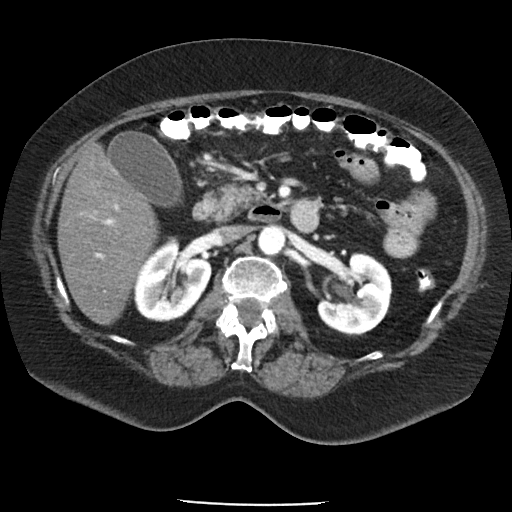
Abdominal CT with intravenous contrast, arterial phase, axial plane, 120 kVp, kernel FC19. Slice 58/85 from the bottom of the scan; thickness 5.00 mm; pixel size 0.741 mm.
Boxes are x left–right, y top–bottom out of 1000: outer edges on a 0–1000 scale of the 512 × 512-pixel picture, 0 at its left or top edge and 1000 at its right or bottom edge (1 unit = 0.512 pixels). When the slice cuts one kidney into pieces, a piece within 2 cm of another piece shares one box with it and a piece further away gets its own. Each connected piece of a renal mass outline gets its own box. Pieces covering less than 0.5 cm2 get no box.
Two kidney boxes on this slice; by box centre, from the image's left to its right: (1) Right kidney at x 262–414, y 461–629 out of 1000 (outlined area 4,685 px, about 25.7 cm2). (2) Left kidney, box x 619–768, y 492–656 out of 1000 (outlined area 4,425 px, about 24.3 cm2). This slice carries no renal mass outline.